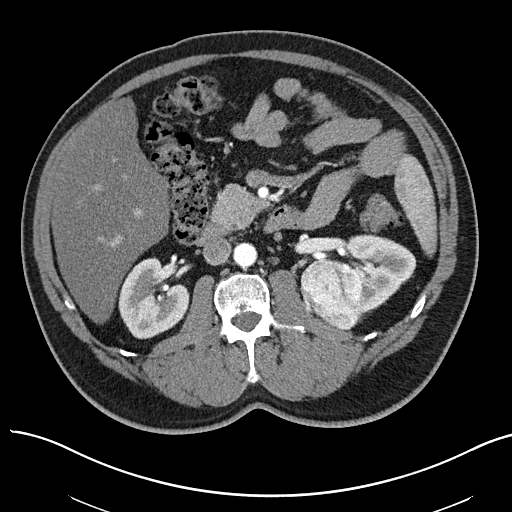
Arterial-phase contrast-enhanced abdominal CT, axial slice 34 of 97 (counted from the lowest slice); tube voltage 100 kVp, convolution kernel I40f; slices 3.00 mm thick, 0.797 mm per pixel.
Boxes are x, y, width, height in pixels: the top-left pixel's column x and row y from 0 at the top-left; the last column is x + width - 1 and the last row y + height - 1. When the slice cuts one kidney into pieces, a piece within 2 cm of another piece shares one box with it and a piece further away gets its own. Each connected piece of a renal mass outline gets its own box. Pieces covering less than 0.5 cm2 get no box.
Two kidney boxes and one renal mass box on this slice; by box centre, from the image's left to its right: (1) Right kidney at x 118, y 257, width 72, height 83 (outlined area 4,164 px, about 26.4 cm2). (2) Box x 300, y 257, width 66, height 74: left renal mass (outlined area 3,705 px, about 23.5 cm2). (3) Left kidney at x 313, y 234, width 104, height 80 (outlined area 3,630 px, about 23.1 cm2).